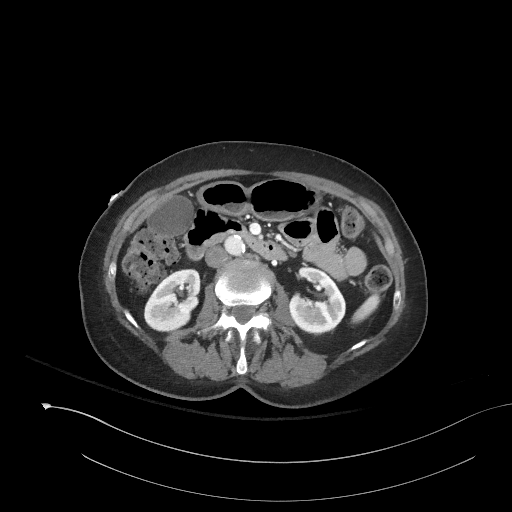
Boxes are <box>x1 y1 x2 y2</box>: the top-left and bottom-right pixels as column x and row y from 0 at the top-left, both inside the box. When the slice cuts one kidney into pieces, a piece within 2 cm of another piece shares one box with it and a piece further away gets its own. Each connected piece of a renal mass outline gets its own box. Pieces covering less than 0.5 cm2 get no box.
Slice 94/153 of a contrast-enhanced abdominal CT, counting up from the lowest; pixel size 0.893 mm, slice thickness 3.00 mm. Two kidney boxes on this slice; by box centre, from the image's left to its right: (1) Right kidney at <box>143 268 200 331</box> (outlined area 2,621 px, about 20.9 cm2). (2) Left kidney at <box>288 267 345 334</box> (outlined area 2,709 px, about 21.6 cm2). No renal mass is outlined on this slice.
Acquired at 120 kVp and reconstructed with the I41f kernel.